One axial slice (15 of 76, counting up from the lowest) of a contrast-enhanced abdominal CT acquired with 120 kVp, kernel B; each pixel is 0.684 mm and the slice is 3.00 mm thick.
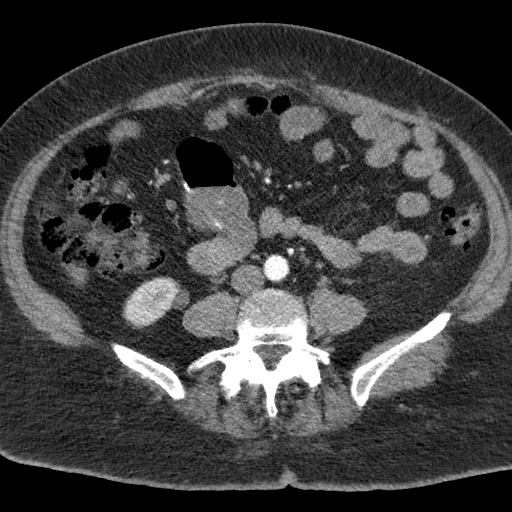
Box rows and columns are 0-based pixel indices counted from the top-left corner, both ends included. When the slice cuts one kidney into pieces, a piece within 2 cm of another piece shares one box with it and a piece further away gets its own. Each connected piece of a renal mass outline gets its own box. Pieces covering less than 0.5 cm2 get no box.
Right kidney, box rows 276–328, columns 122–189 (outlined area 2,284 px, about 10.7 cm2). This slice carries no renal mass outline.